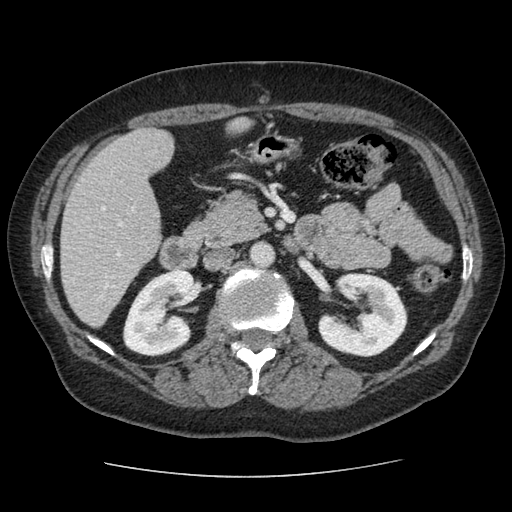
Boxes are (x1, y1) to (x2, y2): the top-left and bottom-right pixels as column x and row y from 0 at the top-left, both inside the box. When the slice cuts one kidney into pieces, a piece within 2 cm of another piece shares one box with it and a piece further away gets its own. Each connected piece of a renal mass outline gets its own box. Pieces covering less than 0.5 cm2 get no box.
This is axial slice 49 of 96 (slice 1 is the lowest) of an arterial-phase abdominal CT with contrast; each pixel is 0.689 mm and the slice is 2.50 mm thick. Two kidney boxes on this slice; by box centre, from the image's left to its right: (1) Box (122, 269) to (194, 356): right kidney (outlined area 4,716 px, about 22.4 cm2). (2) Left kidney from (318, 273) to (407, 357) (outlined area 5,373 px, about 25.5 cm2). No renal mass outline on this slice.
Tube voltage 120 kVp; convolution kernel STANDARD.